Abdominal CT with intravenous contrast, arterial phase, axial plane, 120 kVp, kernel B30f. Slice 55/99 from the bottom of the scan; thickness 5.00 mm; pixel size 0.693 mm.
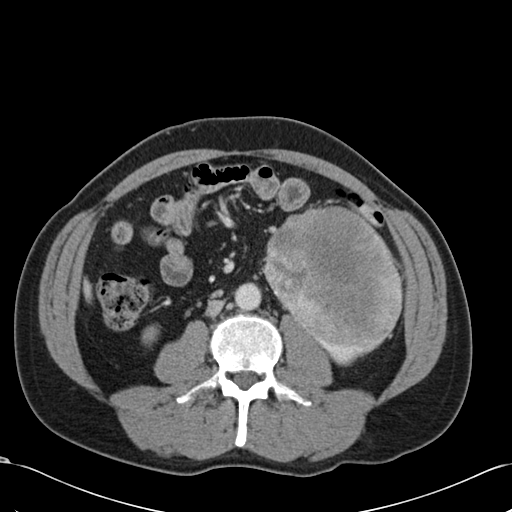
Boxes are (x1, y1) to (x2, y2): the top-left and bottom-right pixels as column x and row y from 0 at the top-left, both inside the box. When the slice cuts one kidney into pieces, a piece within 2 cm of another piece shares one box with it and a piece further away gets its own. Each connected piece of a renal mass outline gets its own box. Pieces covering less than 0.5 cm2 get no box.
Three boxes on this slice (two kidney boxes and one renal mass box), listed by box centre from the image's left to its right. (1) Right kidney from (142, 325) to (159, 345) (outlined area 274 px, about 1.3 cm2). (2) Box (264, 205) to (403, 348): left renal mass (outlined area 14,900 px, about 71.6 cm2). (3) Left kidney, box (310, 332) to (383, 366) (outlined area 671 px, about 3.2 cm2).